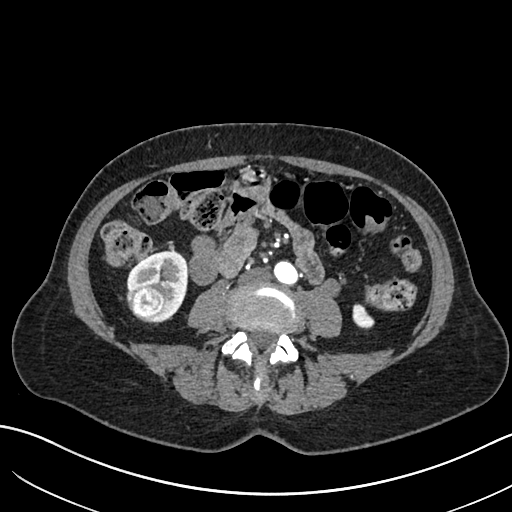
Arterial-phase contrast-enhanced abdominal CT, axial slice 279 of 683 (counted from the lowest slice); tube voltage 120 kVp, convolution kernel I30f; slices 1.00 mm thick, 0.738 mm per pixel.
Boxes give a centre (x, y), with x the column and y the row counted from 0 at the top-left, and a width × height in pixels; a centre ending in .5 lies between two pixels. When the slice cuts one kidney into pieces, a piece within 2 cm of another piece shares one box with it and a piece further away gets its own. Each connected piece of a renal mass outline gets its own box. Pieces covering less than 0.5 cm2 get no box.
Three boxes on this slice (two kidney boxes and one renal mass box), listed by box centre from the image's left to its right. (1) Right renal mass, box centre (146.5, 302.5), 42 × 38 pixels (outlined area 1,194 px, about 6.5 cm2). (2) Right kidney, box centre (156.5, 285.5), 62 × 72 pixels (outlined area 2,385 px, about 13.0 cm2). (3) Left kidney in a box with centre (363, 316), 23 × 27 pixels (outlined area 409 px, about 2.2 cm2).